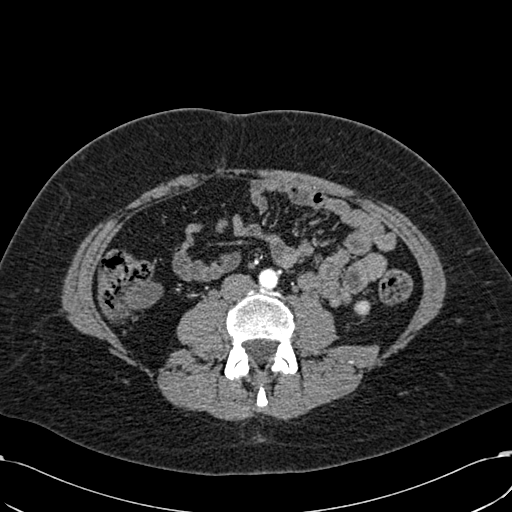
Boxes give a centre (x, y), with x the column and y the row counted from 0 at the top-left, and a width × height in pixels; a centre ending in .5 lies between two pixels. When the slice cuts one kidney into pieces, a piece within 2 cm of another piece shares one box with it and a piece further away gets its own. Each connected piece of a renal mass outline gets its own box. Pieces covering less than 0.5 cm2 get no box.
This is axial slice 244 of 532 (slice 1 is the lowest) of an arterial-phase abdominal CT with contrast; each pixel is 0.713 mm and the slice is 1.00 mm thick. Left kidney, box centre (361, 306.5), 17 × 16 pixels (outlined area 214 px, about 1.1 cm2). No renal mass outline on this slice.
Scan settings: 120 kVp, B30f reconstruction kernel.